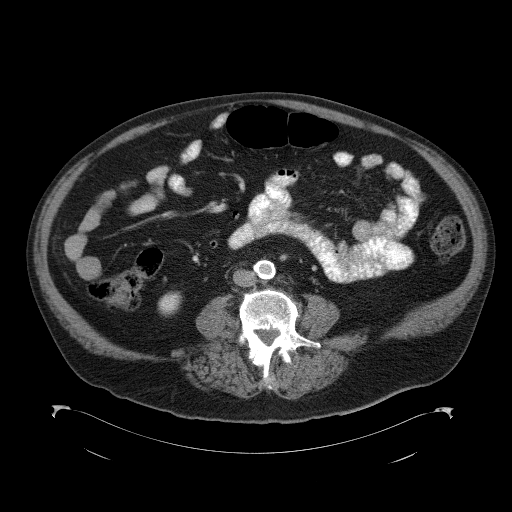
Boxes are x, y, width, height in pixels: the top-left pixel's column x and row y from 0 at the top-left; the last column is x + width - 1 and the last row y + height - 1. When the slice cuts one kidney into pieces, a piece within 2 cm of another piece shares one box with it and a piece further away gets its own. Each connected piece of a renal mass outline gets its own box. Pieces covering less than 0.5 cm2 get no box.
Contrast-enhanced abdominal CT, axial slice 44 of 98 (counted from the lowest slice); 5.00 mm thick, 0.965 mm per pixel. Box x 158, y 291, width 24, height 26: right kidney (outlined area 453 px, about 4.2 cm2). No renal mass is outlined on this slice.
Scan settings: 120 kVp, B41f reconstruction kernel.